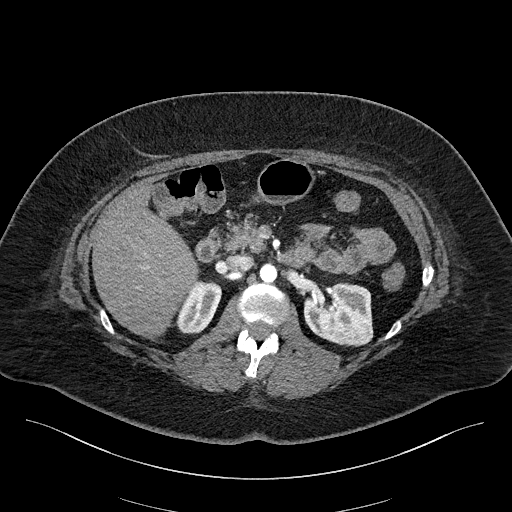
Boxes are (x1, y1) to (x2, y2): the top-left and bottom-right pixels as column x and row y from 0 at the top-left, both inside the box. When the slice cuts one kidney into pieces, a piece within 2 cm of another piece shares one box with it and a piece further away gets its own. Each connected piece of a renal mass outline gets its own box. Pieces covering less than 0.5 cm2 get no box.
Slice 121/270 of a contrast-enhanced abdominal CT in the arterial phase, counting up from the lowest; pixel size 0.855 mm, slice thickness 2.00 mm. Two boxes on this slice (two kidney boxes), listed by box centre from the image's left to its right. (1) Box (176, 280) to (221, 333): right kidney (outlined area 1,675 px, about 12.3 cm2). (2) Left kidney from (303, 282) to (373, 346) (outlined area 3,579 px, about 26.2 cm2). This slice carries no renal mass outline.
Scan settings: 100 kVp, I40f reconstruction kernel.